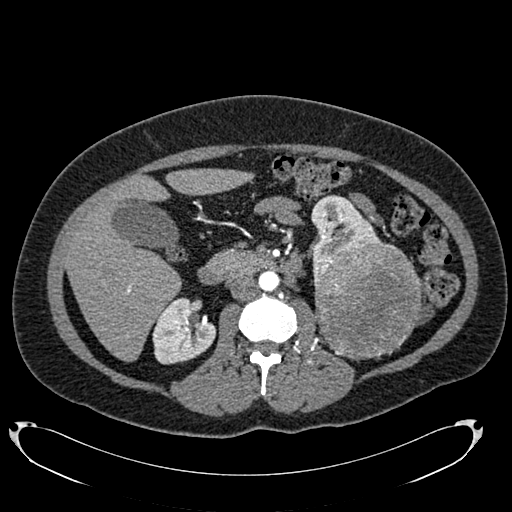
One axial slice (417 of 634, counting up from the lowest) of an arterial-phase abdominal CT acquired with 120 kVp, kernel B20f; each pixel is 0.838 mm and the slice is 1.00 mm thick.
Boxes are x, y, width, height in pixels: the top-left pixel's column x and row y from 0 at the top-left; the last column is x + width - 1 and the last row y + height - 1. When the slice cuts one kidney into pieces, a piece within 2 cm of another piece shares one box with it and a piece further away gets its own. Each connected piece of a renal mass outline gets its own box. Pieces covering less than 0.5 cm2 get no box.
Boxed on this slice (two kidney boxes and one renal mass box), listed by box centre from the image's left to its right: (1) Box x 152, y 297, width 65, height 68: right kidney (outlined area 3,099 px, about 21.8 cm2). (2) Left kidney, box x 311, y 195, width 71, height 88 (outlined area 3,022 px, about 21.2 cm2). (3) Box x 313, y 240, width 110, height 121: left renal mass (outlined area 10,324 px, about 72.5 cm2).